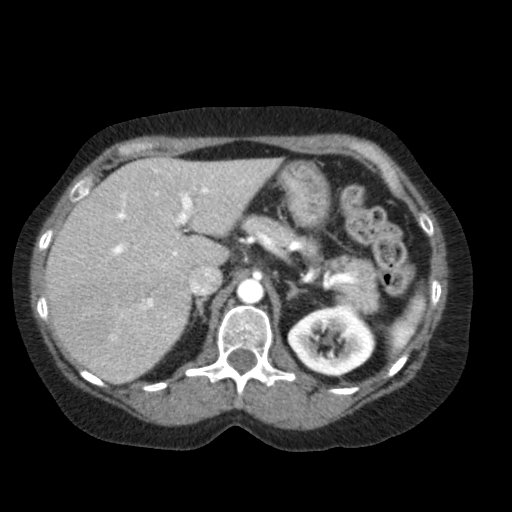
Arterial-phase contrast-enhanced abdominal CT, axial slice 66 of 79 (counted from the lowest slice); tube voltage 120 kVp, convolution kernel FC11; slices 5.00 mm thick, 0.686 mm per pixel.
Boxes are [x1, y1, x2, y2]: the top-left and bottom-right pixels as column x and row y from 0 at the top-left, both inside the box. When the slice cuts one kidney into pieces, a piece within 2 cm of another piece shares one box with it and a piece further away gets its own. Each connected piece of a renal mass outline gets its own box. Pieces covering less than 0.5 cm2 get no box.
Left kidney at [287, 305, 375, 376] (outlined area 4,694 px, about 22.1 cm2). No renal mass is outlined on this slice.